One axial slice (440 of 541, counting up from the lowest) of an arterial-phase abdominal CT acquired with 120 kVp, kernel I30f; each pixel is 0.834 mm and the slice is 1.00 mm thick.
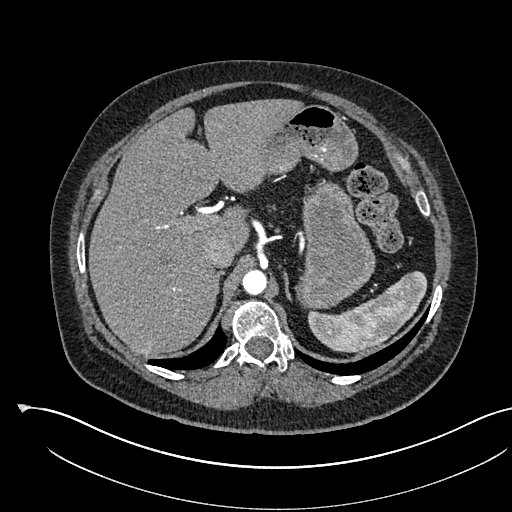
This slice carries no outline: it lies beyond the outlined kidneys and beyond every outlined renal mass. Other organs are not outlined in this scan.